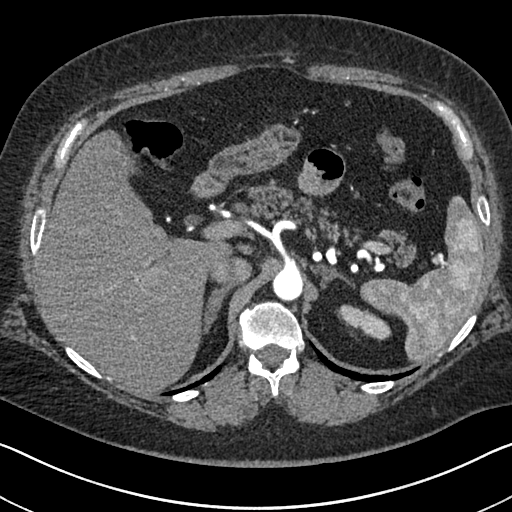
One axial slice (509 of 591, counting up from the lowest) of an arterial-phase abdominal CT acquired with 140 kVp, kernel I30f; each pixel is 0.703 mm and the slice is 1.00 mm thick.
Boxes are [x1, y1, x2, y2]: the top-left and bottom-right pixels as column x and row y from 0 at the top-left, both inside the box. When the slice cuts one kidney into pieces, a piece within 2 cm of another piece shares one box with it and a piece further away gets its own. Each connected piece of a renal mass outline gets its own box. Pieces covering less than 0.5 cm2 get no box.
Left kidney at [337, 304, 391, 339] (outlined area 1,018 px, about 5.0 cm2). This slice carries no renal mass outline.